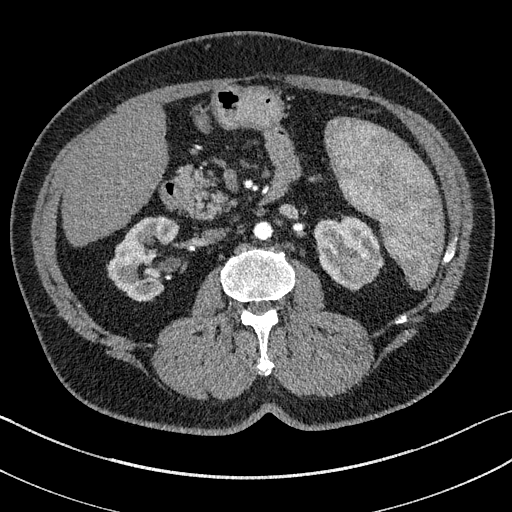
Axial slice 83 of 195 of a contrast-enhanced abdominal CT in the arterial phase (slice 1 is the lowest), 100 kVp, kernel I31f; 1.50 mm slice thickness and 0.707 mm pixels.
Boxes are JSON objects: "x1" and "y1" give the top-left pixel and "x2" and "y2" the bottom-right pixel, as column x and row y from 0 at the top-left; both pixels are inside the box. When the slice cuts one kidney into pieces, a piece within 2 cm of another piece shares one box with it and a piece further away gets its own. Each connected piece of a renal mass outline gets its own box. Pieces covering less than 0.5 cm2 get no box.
Two kidney boxes and one renal mass box on this slice; by box centre, from the image's left to its right: (1) Right kidney at {"x1": 107, "y1": 216, "x2": 178, "y2": 301} (outlined area 3,701 px, about 18.5 cm2). (2) Left kidney at {"x1": 314, "y1": 216, "x2": 383, "y2": 290} (outlined area 2,977 px, about 14.9 cm2). (3) Left renal mass, box {"x1": 345, "y1": 255, "x2": 379, "y2": 282} (outlined area 777 px, about 3.9 cm2).